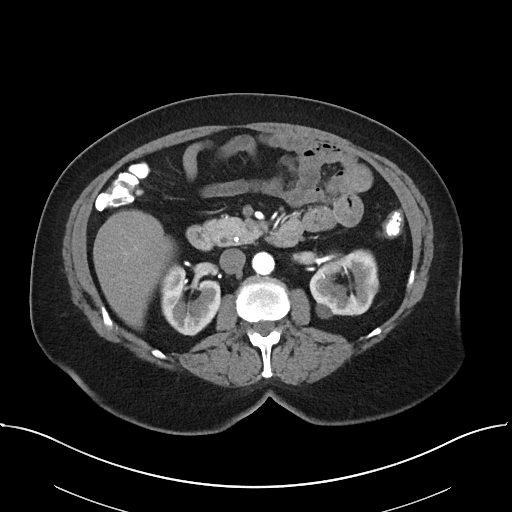
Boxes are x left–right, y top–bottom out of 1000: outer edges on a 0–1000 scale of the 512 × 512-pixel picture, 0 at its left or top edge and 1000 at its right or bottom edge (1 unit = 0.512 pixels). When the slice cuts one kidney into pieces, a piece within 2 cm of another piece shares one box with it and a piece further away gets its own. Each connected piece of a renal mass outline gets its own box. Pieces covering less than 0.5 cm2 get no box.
Slice 19/38 of a contrast-enhanced abdominal CT in the arterial phase, counting up from the lowest; pixel size 0.822 mm, slice thickness 5.00 mm. Boxed on this slice (two kidney boxes), listed by box centre from the image's left to its right: (1) Right kidney at x 311–430, y 512–656 out of 1000 (outlined area 3,108 px, about 21.0 cm2). (2) Left kidney, box x 604–740, y 486–623 out of 1000 (outlined area 3,504 px, about 23.7 cm2). This slice carries no renal mass outline.
Acquired at 100 kVp and reconstructed with the I40f kernel.